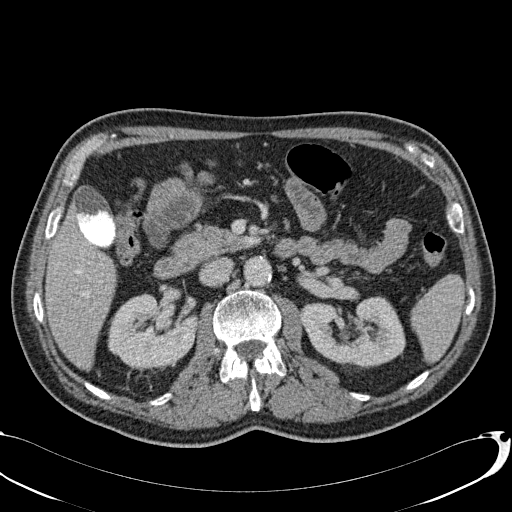
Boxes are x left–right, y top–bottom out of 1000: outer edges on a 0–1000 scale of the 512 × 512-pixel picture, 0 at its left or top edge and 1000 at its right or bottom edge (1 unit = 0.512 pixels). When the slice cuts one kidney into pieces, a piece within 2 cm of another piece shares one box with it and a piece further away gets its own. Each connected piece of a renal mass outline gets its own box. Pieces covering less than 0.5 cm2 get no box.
Contrast-enhanced abdominal CT, axial slice 47 of 113 (counted from the lowest slice); 2.00 mm thick, 0.742 mm per pixel. Boxed on this slice (two kidney boxes), listed by box centre from the image's left to its right: (1) Right kidney, box x 209–389, y 572–725 out of 1000 (outlined area 5,184 px, about 28.6 cm2). (2) Left kidney, box x 586–793, y 576–721 out of 1000 (outlined area 5,603 px, about 30.9 cm2). No renal mass outline on this slice.
Acquired at 120 kVp and reconstructed with the B31f kernel.